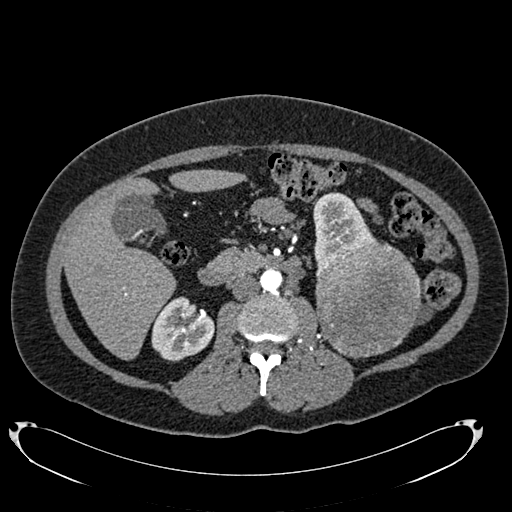
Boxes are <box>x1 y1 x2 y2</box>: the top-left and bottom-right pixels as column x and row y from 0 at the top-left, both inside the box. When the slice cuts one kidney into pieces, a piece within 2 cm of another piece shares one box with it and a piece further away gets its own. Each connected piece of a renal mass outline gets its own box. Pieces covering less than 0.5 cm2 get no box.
This is axial slice 407 of 634 (slice 1 is the lowest) of an arterial-phase abdominal CT with contrast; each pixel is 0.838 mm and the slice is 1.00 mm thick. Three boxes on this slice (two kidney boxes and one renal mass box), listed by box centre from the image's left to its right. (1) Right kidney: <box>151 296 214 361</box> (outlined area 2,993 px, about 21.0 cm2). (2) Left kidney: <box>313 192 375 268</box> (outlined area 2,842 px, about 20.0 cm2). (3) At <box>315 239 420 358</box>: left renal mass (outlined area 9,873 px, about 69.3 cm2).
Tube voltage 120 kVp; convolution kernel B20f.